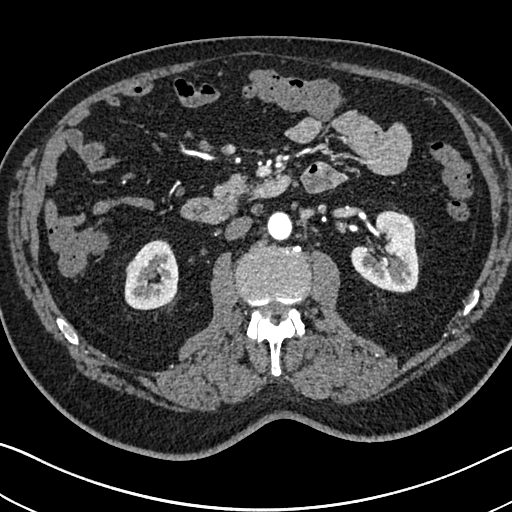
Abdominal CT with intravenous contrast, arterial phase, axial plane, 120 kVp, kernel I30f. Slice 397/705 from the bottom of the scan; thickness 1.00 mm; pixel size 0.703 mm.
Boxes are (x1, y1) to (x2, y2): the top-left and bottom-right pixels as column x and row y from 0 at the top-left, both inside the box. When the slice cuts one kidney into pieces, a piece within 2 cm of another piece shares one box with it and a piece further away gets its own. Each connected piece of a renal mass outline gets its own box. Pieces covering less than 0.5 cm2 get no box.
Boxed on this slice (two kidney boxes), listed by box centre from the image's left to its right: (1) Box (124, 239) to (178, 310): right kidney (outlined area 3,017 px, about 14.9 cm2). (2) Left kidney, box (350, 210) to (420, 293) (outlined area 4,060 px, about 20.1 cm2).